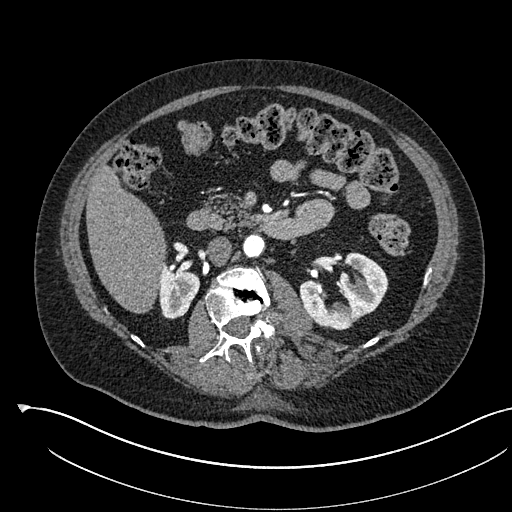
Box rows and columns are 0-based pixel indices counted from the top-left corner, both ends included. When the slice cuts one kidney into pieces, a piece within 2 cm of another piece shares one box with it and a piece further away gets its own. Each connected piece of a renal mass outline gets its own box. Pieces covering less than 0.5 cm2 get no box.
This is axial slice 321 of 541 (slice 1 is the lowest) of an arterial-phase abdominal CT with contrast; each pixel is 0.834 mm and the slice is 1.00 mm thick. Two boxes on this slice (two kidney boxes), listed by box centre from the image's left to its right. (1) Box rows 262–319, columns 158–200: right kidney (outlined area 1,686 px, about 11.7 cm2). (2) Left kidney at rows 252–329, columns 299–388 (outlined area 4,165 px, about 29.0 cm2). No renal mass outline on this slice.
Tube voltage 120 kVp; convolution kernel I30f.